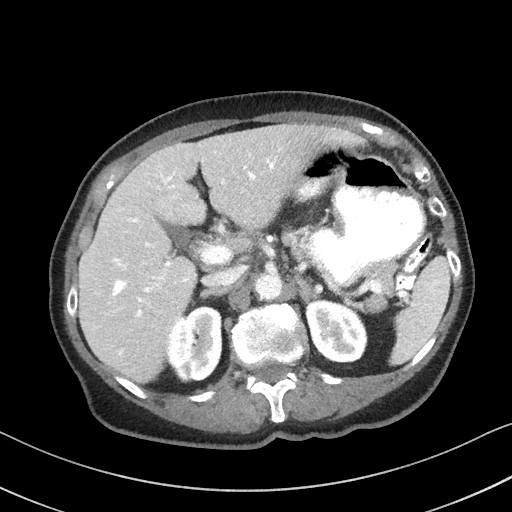
One axial slice (68 of 92, counting up from the lowest) of a contrast-enhanced abdominal CT acquired with 100 kVp, kernel I41f; each pixel is 0.684 mm and the slice is 3.00 mm thick.
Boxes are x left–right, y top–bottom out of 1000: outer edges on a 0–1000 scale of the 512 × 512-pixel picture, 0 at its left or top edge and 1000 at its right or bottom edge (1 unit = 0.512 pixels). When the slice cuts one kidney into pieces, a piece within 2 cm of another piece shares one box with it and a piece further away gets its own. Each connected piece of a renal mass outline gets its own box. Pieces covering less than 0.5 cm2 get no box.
Two boxes on this slice (two kidney boxes), listed by box centre from the image's left to its right. (1) Right kidney at x 322–436, y 596–748 out of 1000 (outlined area 3,491 px, about 16.3 cm2). (2) Left kidney at x 596–719, y 586–711 out of 1000 (outlined area 3,090 px, about 14.4 cm2). No renal mass outline on this slice.